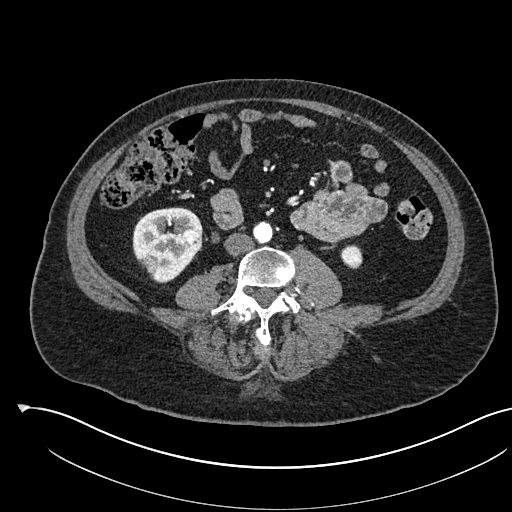
Arterial-phase contrast-enhanced abdominal CT, axial slice 220 of 541 (counted from the lowest slice); tube voltage 120 kVp, convolution kernel I30f; slices 1.00 mm thick, 0.834 mm per pixel.
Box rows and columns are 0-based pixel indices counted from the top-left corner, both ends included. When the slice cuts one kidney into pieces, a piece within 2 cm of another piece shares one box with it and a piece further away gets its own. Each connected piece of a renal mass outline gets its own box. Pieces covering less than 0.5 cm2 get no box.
Two kidney boxes and one renal mass box on this slice; by box centre, from the image's left to its right: (1) Right kidney, box rows 207–283, columns 132–202 (outlined area 3,729 px, about 25.9 cm2). (2) Right renal mass, box rows 229–248, columns 181–201 (outlined area 316 px, about 2.2 cm2). (3) Left kidney, box rows 244–268, columns 340–362 (outlined area 428 px, about 3.0 cm2).